Contrast-enhanced abdominal CT, axial slice 16 of 75 (counted from the lowest slice); tube voltage 140 kVp, convolution kernel B30f; slices 3.00 mm thick, 0.875 mm per pixel.
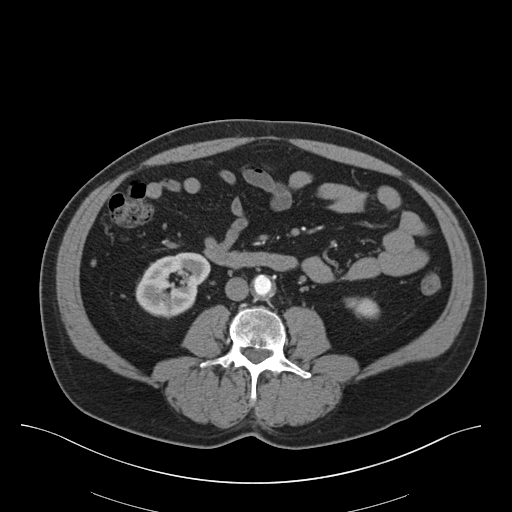
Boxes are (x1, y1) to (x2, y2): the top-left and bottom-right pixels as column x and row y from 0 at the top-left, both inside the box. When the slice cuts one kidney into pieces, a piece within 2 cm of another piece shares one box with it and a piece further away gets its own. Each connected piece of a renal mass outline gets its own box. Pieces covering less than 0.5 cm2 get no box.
Two boxes on this slice (two kidney boxes), listed by box centre from the image's left to its right. (1) Right kidney from (135, 252) to (210, 318) (outlined area 3,469 px, about 26.6 cm2). (2) Left kidney from (344, 297) to (379, 318) (outlined area 567 px, about 4.3 cm2). This slice carries no renal mass outline.